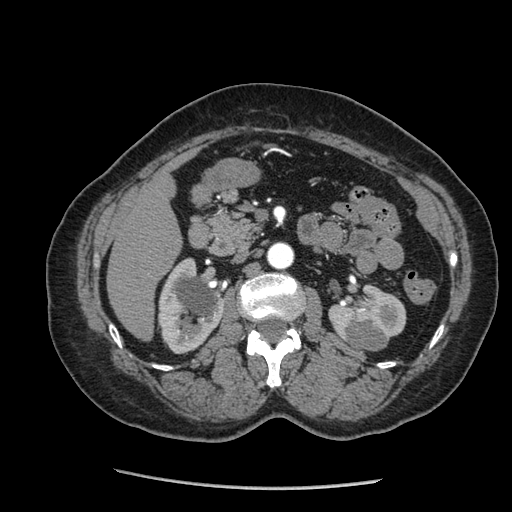
Axial slice 127 of 233 of a contrast-enhanced abdominal CT in the arterial phase (slice 1 is the lowest), 120 kVp, kernel STANDARD; 1.25 mm slice thickness and 0.703 mm pixels.
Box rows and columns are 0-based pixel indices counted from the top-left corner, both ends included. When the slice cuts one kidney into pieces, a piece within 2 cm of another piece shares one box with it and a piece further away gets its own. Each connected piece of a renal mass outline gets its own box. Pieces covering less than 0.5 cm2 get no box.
Two kidney boxes and one renal mass box on this slice; by box centre, from the image's left to its right: (1) Right kidney, box rows 257–354, columns 158–224 (outlined area 4,571 px, about 22.6 cm2). (2) Left kidney, box rows 284–346, columns 328–406 (outlined area 2,685 px, about 13.3 cm2). (3) Left renal mass at rows 320–351, columns 345–389 (outlined area 1,035 px, about 5.1 cm2).